Abdominal CT with intravenous contrast, axial plane, 120 kVp, kernel B30f. Slice 270/433 from the bottom of the scan; thickness 1.00 mm; pixel size 0.672 mm.
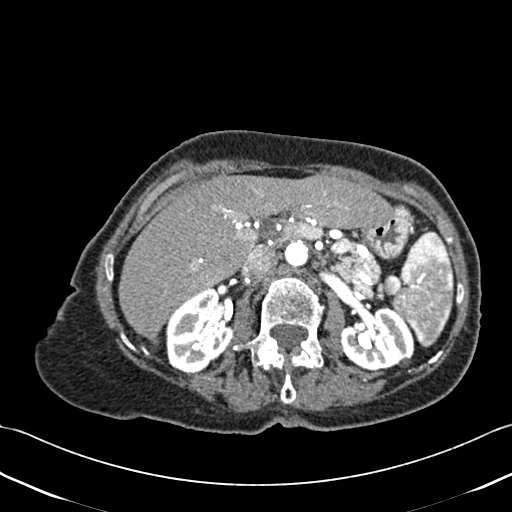
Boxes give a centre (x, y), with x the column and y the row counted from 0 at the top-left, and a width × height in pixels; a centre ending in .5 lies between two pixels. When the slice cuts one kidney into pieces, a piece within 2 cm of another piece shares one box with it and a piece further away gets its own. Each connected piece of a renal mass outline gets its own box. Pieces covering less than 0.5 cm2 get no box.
Two kidney boxes on this slice; by box centre, from the image's left to its right: (1) Right kidney in a box with centre (199, 330.5), 69 × 86 pixels (outlined area 4,149 px, about 18.7 cm2). (2) Left kidney, box centre (377, 339), 75 × 65 pixels (outlined area 3,583 px, about 16.2 cm2).